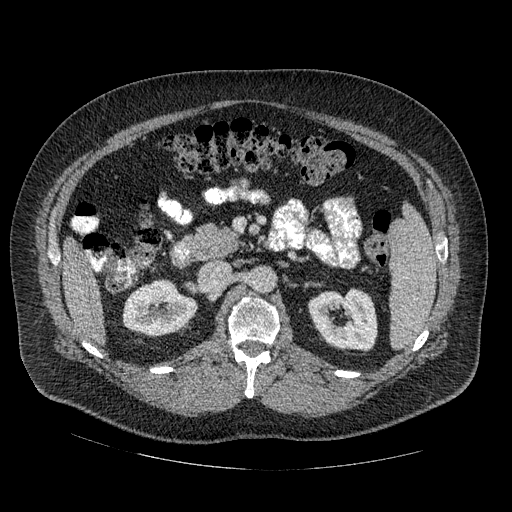
One axial slice (289 of 445, counting up from the lowest) of an arterial-phase abdominal CT acquired with 120 kVp, kernel STANDARD; each pixel is 0.863 mm and the slice is 1.25 mm thick.
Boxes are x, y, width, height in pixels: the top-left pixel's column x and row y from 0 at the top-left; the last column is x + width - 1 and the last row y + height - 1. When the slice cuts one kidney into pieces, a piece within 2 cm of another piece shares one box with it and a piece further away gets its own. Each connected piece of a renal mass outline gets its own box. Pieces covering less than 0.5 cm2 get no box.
Boxed on this slice (two kidney boxes), listed by box centre from the image's left to its right: (1) Right kidney at x 122, y 279, width 77, height 57 (outlined area 3,145 px, about 23.4 cm2). (2) Box x 308, y 288, width 70, height 63: left kidney (outlined area 3,370 px, about 25.1 cm2). This slice carries no renal mass outline.